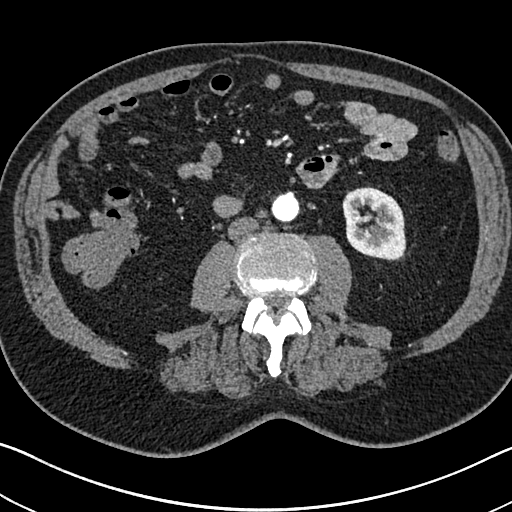
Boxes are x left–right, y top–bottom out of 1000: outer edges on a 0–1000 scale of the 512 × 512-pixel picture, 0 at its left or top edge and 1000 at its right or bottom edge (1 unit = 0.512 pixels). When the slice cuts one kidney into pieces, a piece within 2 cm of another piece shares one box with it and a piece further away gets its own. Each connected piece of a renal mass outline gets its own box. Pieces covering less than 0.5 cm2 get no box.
Arterial-phase contrast-enhanced abdominal CT, axial slice 322 of 705 (counted from the lowest slice); 1.00 mm thick, 0.703 mm per pixel. Left kidney, box x 668–795, y 363–512 out of 1000 (outlined area 3,693 px, about 18.3 cm2). This slice carries no renal mass outline.
Tube voltage 120 kVp; convolution kernel I30f.